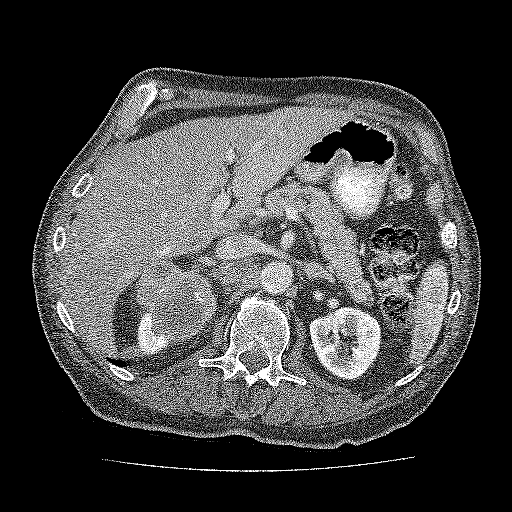
One axial slice (108 of 137, counting up from the lowest) of a contrast-enhanced abdominal CT acquired with 120 kVp, kernel FC52; each pixel is 0.741 mm and the slice is 3.00 mm thick.
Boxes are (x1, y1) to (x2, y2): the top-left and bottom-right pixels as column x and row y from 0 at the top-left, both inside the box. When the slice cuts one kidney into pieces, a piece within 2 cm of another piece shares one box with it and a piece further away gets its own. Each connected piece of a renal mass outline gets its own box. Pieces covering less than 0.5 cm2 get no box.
Two kidney boxes and one renal mass box on this slice; by box centre, from the image's left to its right: (1) Kidney from (136, 311) to (171, 356) (outlined area 808 px, about 4.4 cm2). (2) Box (135, 262) to (217, 343): renal mass (outlined area 4,898 px, about 26.9 cm2). (3) Box (309, 306) to (381, 380): kidney (outlined area 4,050 px, about 22.2 cm2).